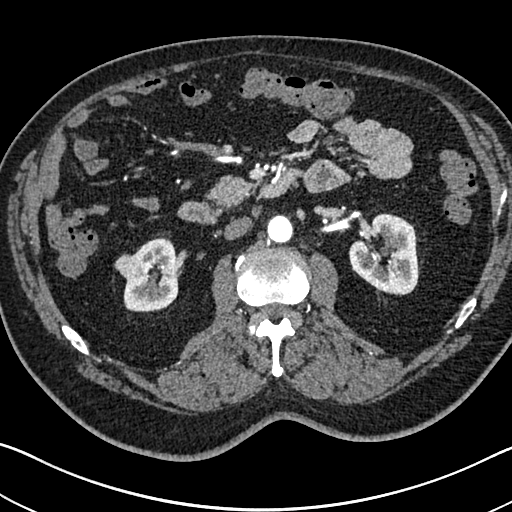
Abdominal CT with intravenous contrast, arterial phase, axial plane, 120 kVp, kernel I30f. Slice 406/705 from the bottom of the scan; thickness 1.00 mm; pixel size 0.703 mm.
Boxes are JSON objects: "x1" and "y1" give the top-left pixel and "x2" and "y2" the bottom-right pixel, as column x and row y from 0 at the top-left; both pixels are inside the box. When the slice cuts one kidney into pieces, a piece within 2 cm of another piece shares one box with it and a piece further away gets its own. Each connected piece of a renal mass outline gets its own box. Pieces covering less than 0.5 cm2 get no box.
Two kidney boxes and one renal mass box on this slice; by box centre, from the image's left to its right: (1) Box {"x1": 114, "y1": 253, "x2": 146, "y2": 280}: right renal mass (outlined area 624 px, about 3.1 cm2). (2) Right kidney at {"x1": 123, "y1": 237, "x2": 178, "y2": 312} (outlined area 2,939 px, about 14.5 cm2). (3) Left kidney at {"x1": 348, "y1": 213, "x2": 419, "y2": 295} (outlined area 4,246 px, about 21.0 cm2).